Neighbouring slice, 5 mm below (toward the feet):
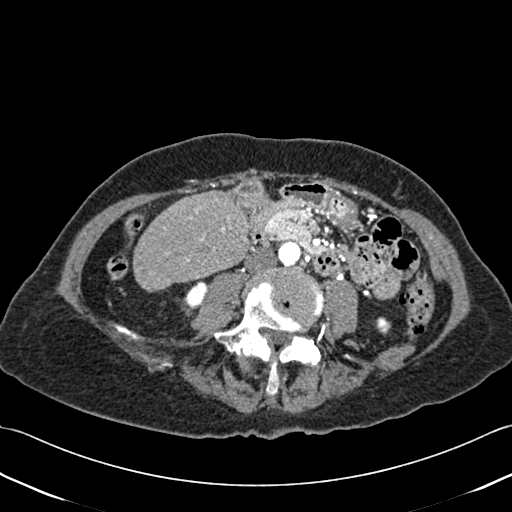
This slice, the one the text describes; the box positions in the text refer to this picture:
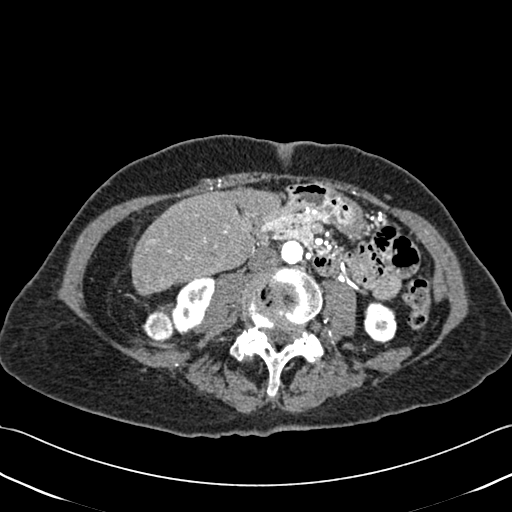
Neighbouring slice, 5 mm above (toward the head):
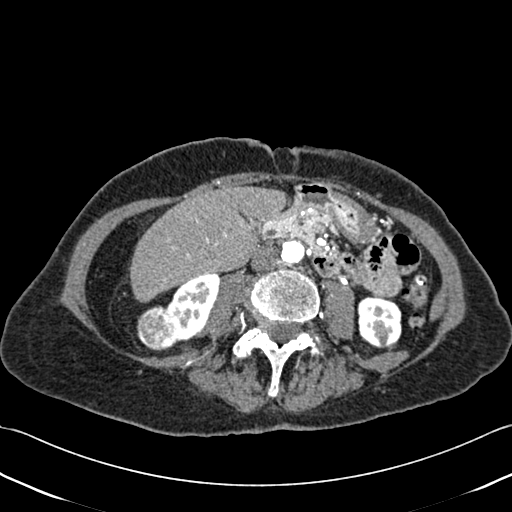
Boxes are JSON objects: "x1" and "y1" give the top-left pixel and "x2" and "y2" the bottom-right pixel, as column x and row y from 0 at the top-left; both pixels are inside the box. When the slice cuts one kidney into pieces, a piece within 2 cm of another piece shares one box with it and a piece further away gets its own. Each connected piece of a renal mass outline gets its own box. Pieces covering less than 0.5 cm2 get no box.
This is axial slice 172 of 433 (slice 1 is the lowest) of an abdominal CT with contrast; each pixel is 0.672 mm and the slice is 1.00 mm thick. Three boxes on this slice (two kidney boxes and one renal mass box), listed by box centre from the image's left to its right. (1) Right renal mass at {"x1": 142, "y1": 310, "x2": 173, "y2": 341} (outlined area 732 px, about 3.3 cm2). (2) Right kidney, box {"x1": 171, "y1": 276, "x2": 214, "y2": 334} (outlined area 1,677 px, about 7.6 cm2). (3) Left kidney at {"x1": 363, "y1": 301, "x2": 396, "y2": 343} (outlined area 1,123 px, about 5.1 cm2). This slice is near the end of the right renal mass toward the feet, so the slices 5 mm below and 5 mm above it are shown as well; the boxes refer to this slice only.
Acquired at 120 kVp and reconstructed with the B30f kernel.